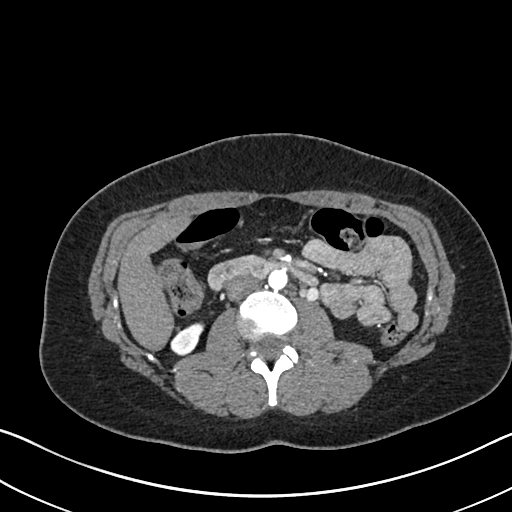
Abdominal CT with intravenous contrast, arterial phase, axial plane, 120 kVp, kernel I30f. Slice 363/612 from the bottom of the scan; thickness 1.00 mm; pixel size 0.703 mm.
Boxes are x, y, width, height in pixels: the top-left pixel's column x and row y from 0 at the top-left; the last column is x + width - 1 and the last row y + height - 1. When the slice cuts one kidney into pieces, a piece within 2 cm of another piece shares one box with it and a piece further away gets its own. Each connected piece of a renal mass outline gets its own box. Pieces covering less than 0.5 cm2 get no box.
Right kidney at x 170, y 322, width 35, height 33 (outlined area 734 px, about 3.6 cm2). No renal mass is outlined on this slice.